Axial slice 266 of 541 of a contrast-enhanced abdominal CT in the arterial phase (slice 1 is the lowest), 120 kVp, kernel I30f; 1.00 mm slice thickness and 0.834 mm pixels.
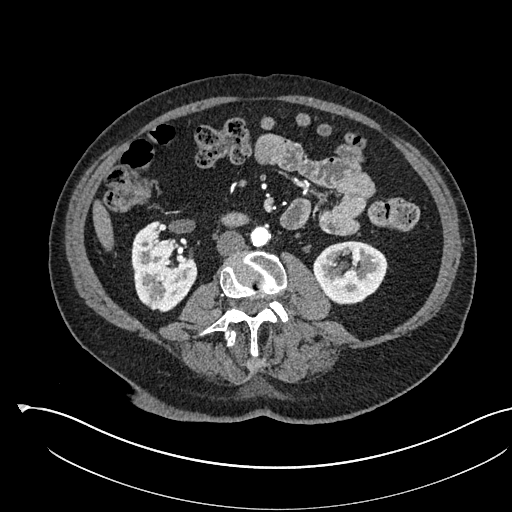
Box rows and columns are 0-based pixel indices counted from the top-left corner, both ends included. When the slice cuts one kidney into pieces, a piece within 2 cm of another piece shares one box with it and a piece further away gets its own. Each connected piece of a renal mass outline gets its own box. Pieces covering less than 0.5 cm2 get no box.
Boxed on this slice (two kidney boxes), listed by box centre from the image's left to its right: (1) Right kidney at rows 221–312, columns 131–197 (outlined area 4,131 px, about 28.7 cm2). (2) Left kidney at rows 240–304, columns 313–387 (outlined area 3,612 px, about 25.1 cm2). No renal mass outline on this slice.